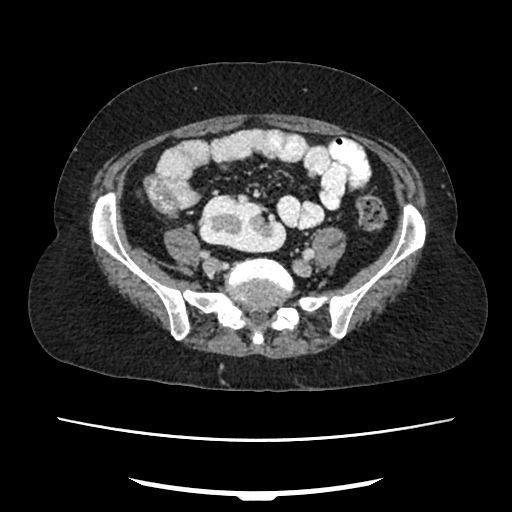
Arterial-phase contrast-enhanced abdominal CT, axial slice 81 of 207 (counted from the lowest slice); tube voltage 120 kVp, convolution kernel FC18; slices 2.00 mm thick, 0.741 mm per pixel.
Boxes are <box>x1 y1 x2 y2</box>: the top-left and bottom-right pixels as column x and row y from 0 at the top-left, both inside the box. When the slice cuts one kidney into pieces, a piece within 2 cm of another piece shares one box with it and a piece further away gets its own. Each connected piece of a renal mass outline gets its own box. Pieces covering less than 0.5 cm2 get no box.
At <box>199 195 286 252</box>: right kidney (outlined area 3,870 px, about 21.2 cm2). No renal mass outline on this slice.